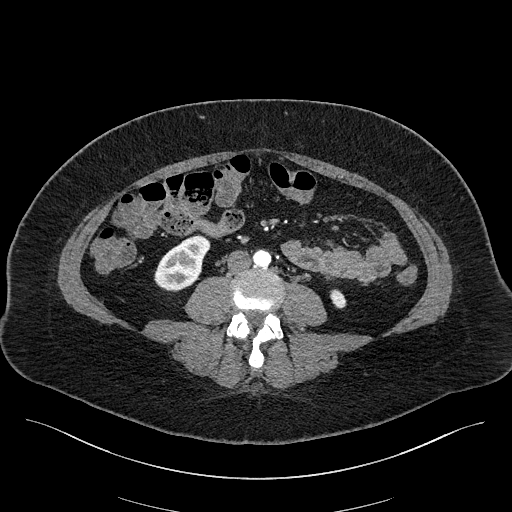
Abdominal CT with intravenous contrast, arterial phase, axial plane, 100 kVp, kernel I40f. Slice 53/270 from the bottom of the scan; thickness 2.00 mm; pixel size 0.855 mm.
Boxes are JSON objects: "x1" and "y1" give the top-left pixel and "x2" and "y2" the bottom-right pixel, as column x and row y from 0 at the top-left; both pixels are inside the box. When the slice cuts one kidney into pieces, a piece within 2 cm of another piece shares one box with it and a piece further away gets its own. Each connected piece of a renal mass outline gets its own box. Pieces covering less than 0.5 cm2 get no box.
Two kidney boxes on this slice; by box centre, from the image's left to its right: (1) Right kidney at {"x1": 154, "y1": 235, "x2": 210, "y2": 291} (outlined area 2,090 px, about 15.3 cm2). (2) Left kidney, box {"x1": 330, "y1": 289, "x2": 346, "y2": 308} (outlined area 244 px, about 1.8 cm2). No renal mass is outlined on this slice.